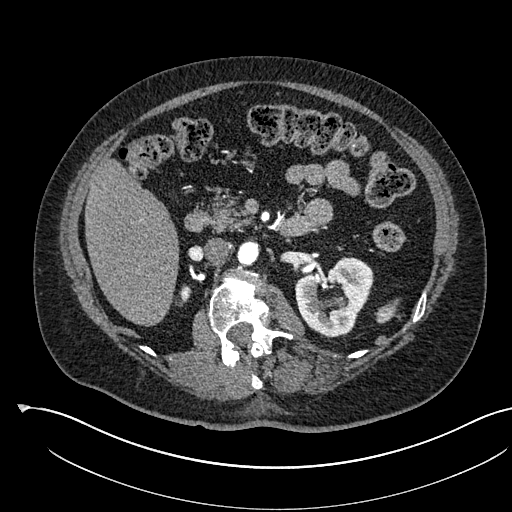
One axial slice (343 of 541, counting up from the lowest) of an arterial-phase abdominal CT acquired with 120 kVp, kernel I30f; each pixel is 0.834 mm and the slice is 1.00 mm thick.
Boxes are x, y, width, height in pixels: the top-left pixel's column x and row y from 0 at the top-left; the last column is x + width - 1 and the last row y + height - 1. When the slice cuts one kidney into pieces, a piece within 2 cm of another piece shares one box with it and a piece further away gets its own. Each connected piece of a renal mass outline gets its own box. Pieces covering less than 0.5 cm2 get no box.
Two boxes on this slice (two kidney boxes), listed by box centre from the image's left to its right. (1) Box x 175, y 284, width 17, height 23: right kidney (outlined area 197 px, about 1.4 cm2). (2) Left kidney at x 295, y 256, width 79, height 82 (outlined area 4,323 px, about 30.1 cm2). No renal mass is outlined on this slice.